Arterial-phase contrast-enhanced abdominal CT, axial slice 157 of 302 (counted from the lowest slice); tube voltage 100 kVp, convolution kernel I30f; slices 5.00 mm thick, 0.875 mm per pixel.
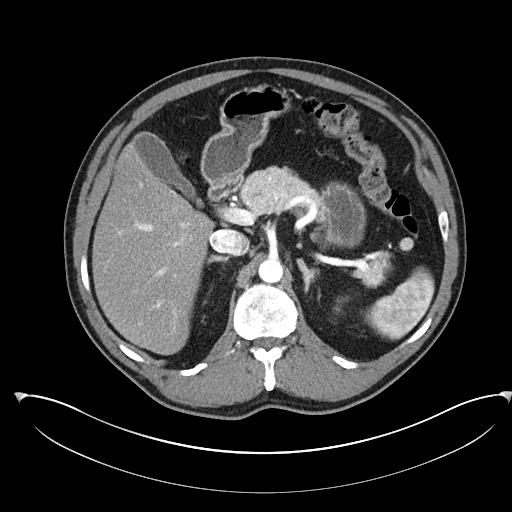
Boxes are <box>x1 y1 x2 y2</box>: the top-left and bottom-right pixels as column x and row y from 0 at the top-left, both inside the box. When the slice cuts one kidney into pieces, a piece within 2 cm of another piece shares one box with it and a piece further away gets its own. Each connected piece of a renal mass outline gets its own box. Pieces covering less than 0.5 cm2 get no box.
Left kidney at <box>335 296 348 313</box> (outlined area 112 px, about 0.9 cm2). This slice carries no renal mass outline.